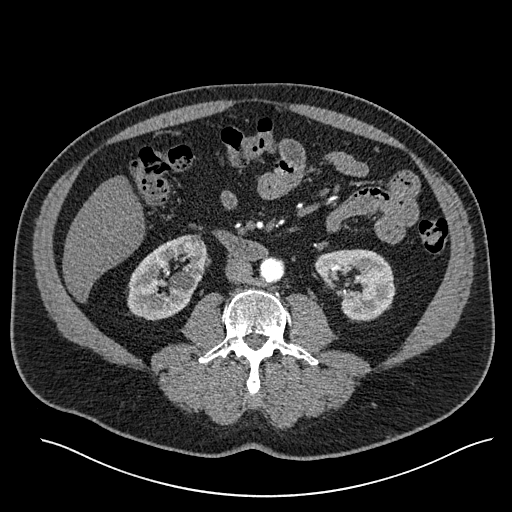
Axial slice 264 of 527 of a contrast-enhanced abdominal CT in the arterial phase (slice 1 is the lowest), 120 kVp, kernel I30f; 1.00 mm slice thickness and 0.859 mm pixels.
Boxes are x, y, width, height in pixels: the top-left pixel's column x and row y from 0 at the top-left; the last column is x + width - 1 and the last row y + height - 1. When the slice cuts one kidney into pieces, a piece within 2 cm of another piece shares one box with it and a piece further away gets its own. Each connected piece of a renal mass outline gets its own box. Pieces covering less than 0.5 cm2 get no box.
Two boxes on this slice (two kidney boxes), listed by box centre from the image's left to its right. (1) Right kidney at x 127, y 234, width 80, height 87 (outlined area 4,620 px, about 34.1 cm2). (2) Left kidney at x 315, y 249, width 81, height 74 (outlined area 4,077 px, about 30.1 cm2). No renal mass is outlined on this slice.